Abdominal CT with intravenous contrast, arterial phase, axial plane, 120 kVp, kernel B30f. Slice 304/532 from the bottom of the scan; thickness 1.00 mm; pixel size 0.713 mm.
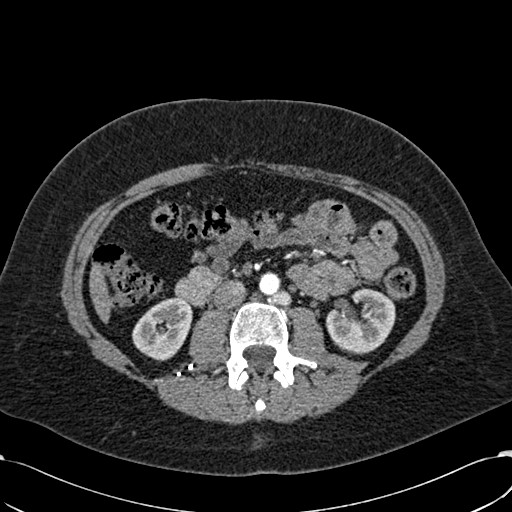
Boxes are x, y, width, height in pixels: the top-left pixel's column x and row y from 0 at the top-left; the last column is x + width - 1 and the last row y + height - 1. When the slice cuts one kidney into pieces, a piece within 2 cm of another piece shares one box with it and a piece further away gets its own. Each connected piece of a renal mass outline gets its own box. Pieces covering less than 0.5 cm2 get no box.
Boxed on this slice (two kidney boxes), listed by box centre from the image's left to its right: (1) Right kidney at x 132, y 297, width 61, height 65 (outlined area 2,771 px, about 14.1 cm2). (2) Left kidney, box x 326, y 288, width 70, height 67 (outlined area 3,327 px, about 16.9 cm2). This slice carries no renal mass outline.